One axial slice (515 of 738, counting up from the lowest) of an arterial-phase abdominal CT acquired with 120 kVp, kernel I30f; each pixel is 0.789 mm and the slice is 1.00 mm thick.
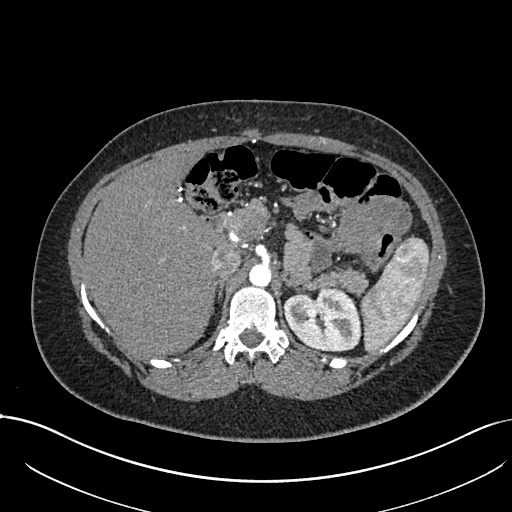
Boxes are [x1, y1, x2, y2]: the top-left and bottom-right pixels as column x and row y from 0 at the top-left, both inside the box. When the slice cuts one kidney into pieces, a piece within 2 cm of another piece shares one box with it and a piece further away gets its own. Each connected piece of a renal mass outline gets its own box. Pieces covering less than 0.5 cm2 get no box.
Box [283, 287, 361, 352]: left kidney (outlined area 3,962 px, about 24.7 cm2). No renal mass outline on this slice.